Axial slice 57 of 90 of a contrast-enhanced abdominal CT (slice 1 is the lowest), 120 kVp, kernel B31f; 5.00 mm slice thickness and 0.707 mm pixels.
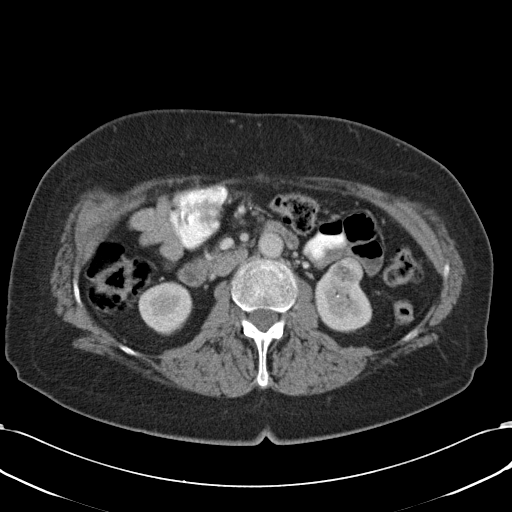
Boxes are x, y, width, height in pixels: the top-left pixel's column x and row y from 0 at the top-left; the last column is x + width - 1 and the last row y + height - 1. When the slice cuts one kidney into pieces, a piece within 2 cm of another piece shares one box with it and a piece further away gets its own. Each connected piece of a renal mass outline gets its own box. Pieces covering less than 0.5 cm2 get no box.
Three boxes on this slice (two kidney boxes and one renal mass box), listed by box centre from the image's left to its right. (1) Box x 138, y 281, width 55, height 50: right kidney (outlined area 2,111 px, about 10.6 cm2). (2) Left kidney at x 315, y 268, width 57, height 63 (outlined area 2,385 px, about 11.9 cm2). (3) Left renal mass at x 331, y 257, width 33, height 25 (outlined area 606 px, about 3.0 cm2).